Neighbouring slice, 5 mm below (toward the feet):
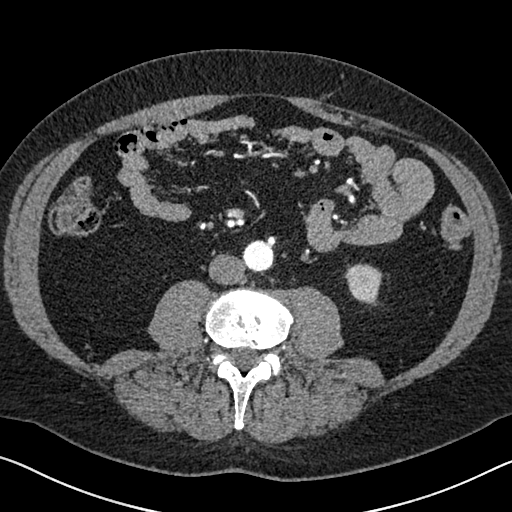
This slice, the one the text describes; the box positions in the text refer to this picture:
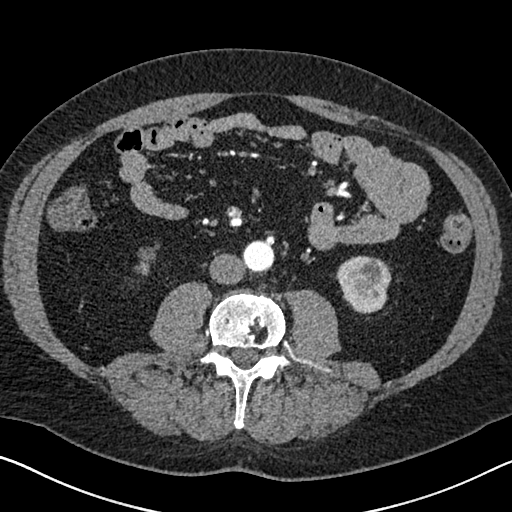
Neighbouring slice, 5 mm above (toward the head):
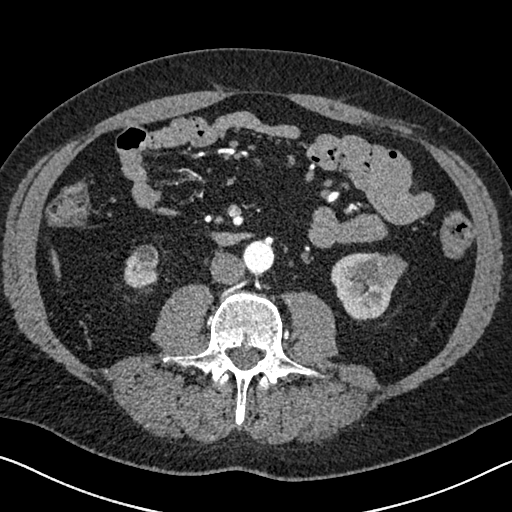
Axial slice 295 of 626 of a contrast-enhanced abdominal CT in the arterial phase (slice 1 is the lowest), 120 kVp, kernel I30f; 1.00 mm slice thickness and 0.703 mm pixels.
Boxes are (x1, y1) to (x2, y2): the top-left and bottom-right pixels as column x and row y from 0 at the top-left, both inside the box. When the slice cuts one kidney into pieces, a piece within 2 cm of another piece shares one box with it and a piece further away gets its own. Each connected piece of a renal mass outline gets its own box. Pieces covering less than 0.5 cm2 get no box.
Three boxes on this slice (two kidney boxes and one renal mass box), listed by box centre from the image's left to its right. (1) Right kidney, box (135, 244) to (158, 272) (outlined area 354 px, about 1.8 cm2). (2) Box (336, 255) to (391, 312): left kidney (outlined area 2,247 px, about 11.1 cm2). (3) Left renal mass from (362, 261) to (376, 278) (outlined area 203 px, about 1.0 cm2). This slice lies near the end of the left renal mass toward the feet; the slices 5 mm below and 5 mm above it are shown too, and the boxes mark positions on this slice only.